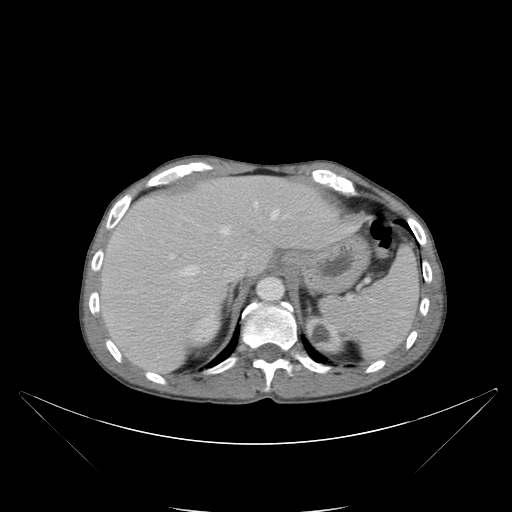
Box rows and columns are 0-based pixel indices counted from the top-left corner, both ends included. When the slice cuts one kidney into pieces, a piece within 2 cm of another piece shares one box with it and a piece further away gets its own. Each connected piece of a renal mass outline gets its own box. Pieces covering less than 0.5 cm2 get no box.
Contrast-enhanced abdominal CT, axial slice 73 of 88 (counted from the lowest slice); 5.00 mm thick, 0.865 mm per pixel. Two boxes on this slice (two kidney boxes), listed by box centre from the image's left to its right. (1) Right kidney, box rows 313–348, columns 190–221 (outlined area 836 px, about 6.3 cm2). (2) Box rows 315–350, columns 304–342: left kidney (outlined area 1,014 px, about 7.6 cm2). This slice carries no renal mass outline.
Scan settings: 120 kVp, B reconstruction kernel.